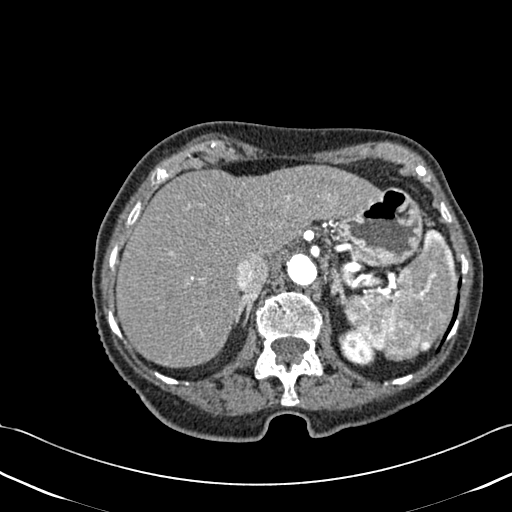
Contrast-enhanced abdominal CT, axial slice 339 of 433 (counted from the lowest slice); tube voltage 120 kVp, convolution kernel B30f; slices 1.00 mm thick, 0.672 mm per pixel.
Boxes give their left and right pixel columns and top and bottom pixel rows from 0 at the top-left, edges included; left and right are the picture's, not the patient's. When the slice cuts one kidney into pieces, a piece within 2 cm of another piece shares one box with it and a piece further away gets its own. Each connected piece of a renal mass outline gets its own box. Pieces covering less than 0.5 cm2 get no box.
Left kidney in the box with left 338, top 328, right 376, bottom 366 (outlined area 980 px, about 4.4 cm2). This slice carries no renal mass outline.